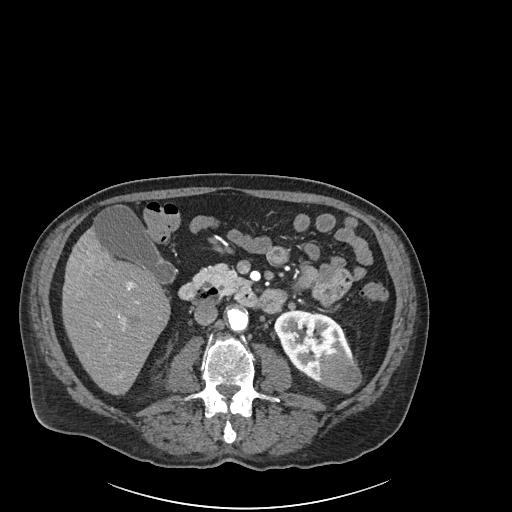
Axial slice 92 of 261 of a contrast-enhanced abdominal CT in the arterial phase (slice 1 is the lowest), 120 kVp, kernel I30f; 2.00 mm slice thickness and 0.939 mm pixels.
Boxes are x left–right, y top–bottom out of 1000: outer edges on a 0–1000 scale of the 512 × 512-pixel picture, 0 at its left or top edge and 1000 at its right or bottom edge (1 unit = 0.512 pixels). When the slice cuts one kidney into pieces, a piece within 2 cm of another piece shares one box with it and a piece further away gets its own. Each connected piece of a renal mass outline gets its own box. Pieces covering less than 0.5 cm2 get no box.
Boxed on this slice (one kidney box and one renal mass box), listed by box centre from the image's left to its right: (1) Box x 535–691, y 605–748 out of 1000: left kidney (outlined area 3,315 px, about 29.3 cm2). (2) Left renal mass at x 623–707, y 688–768 out of 1000 (outlined area 1,370 px, about 12.1 cm2).